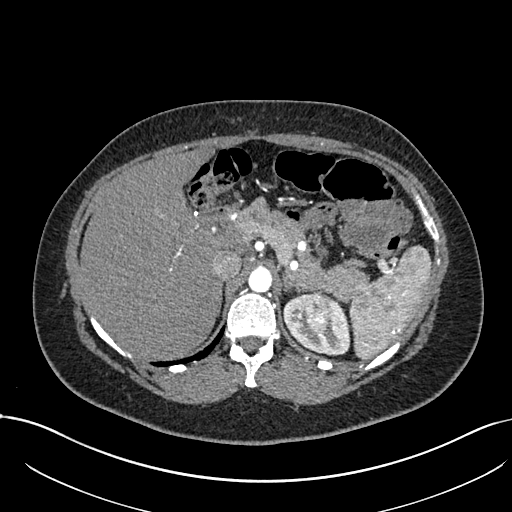
One axial slice (534 of 738, counting up from the lowest) of an arterial-phase abdominal CT acquired with 120 kVp, kernel I30f; each pixel is 0.789 mm and the slice is 1.00 mm thick.
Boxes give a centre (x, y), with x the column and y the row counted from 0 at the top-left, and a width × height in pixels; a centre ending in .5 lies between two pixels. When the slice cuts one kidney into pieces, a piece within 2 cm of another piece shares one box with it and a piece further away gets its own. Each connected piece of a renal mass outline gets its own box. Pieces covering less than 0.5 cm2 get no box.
Boxed on this slice (one kidney box and one renal mass box), listed by box centre from the image's left to its right: (1) Box centre (316, 324), 67 × 63 pixels: left kidney (outlined area 2,341 px, about 14.6 cm2). (2) Box centre (317, 312.5), 27 × 44 pixels: left renal mass (outlined area 939 px, about 5.8 cm2).